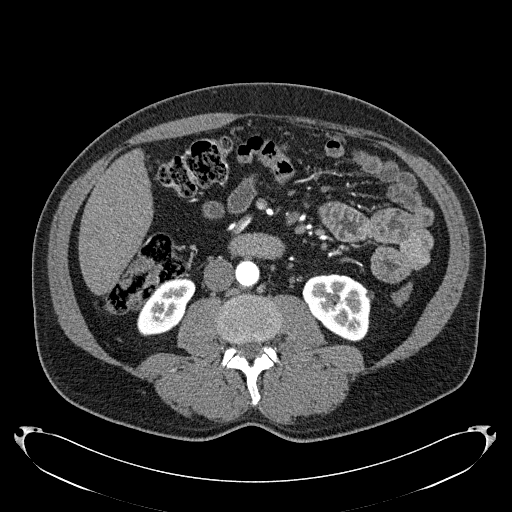
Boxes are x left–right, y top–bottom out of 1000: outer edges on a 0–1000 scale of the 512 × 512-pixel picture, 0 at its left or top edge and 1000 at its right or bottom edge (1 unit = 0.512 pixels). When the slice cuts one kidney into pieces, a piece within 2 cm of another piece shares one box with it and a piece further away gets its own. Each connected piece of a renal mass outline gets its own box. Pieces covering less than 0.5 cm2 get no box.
Slice 86/279 of a contrast-enhanced abdominal CT in the arterial phase, counting up from the lowest; pixel size 0.824 mm, slice thickness 2.00 mm. Boxed on this slice (two kidney boxes), listed by box centre from the image's left to its right: (1) Right kidney at x 268–383, y 541–658 out of 1000 (outlined area 2,259 px, about 15.3 cm2). (2) Left kidney, box x 590–729, y 535–668 out of 1000 (outlined area 3,469 px, about 23.6 cm2). No renal mass is outlined on this slice.
Acquired at 120 kVp and reconstructed with the B31f kernel.